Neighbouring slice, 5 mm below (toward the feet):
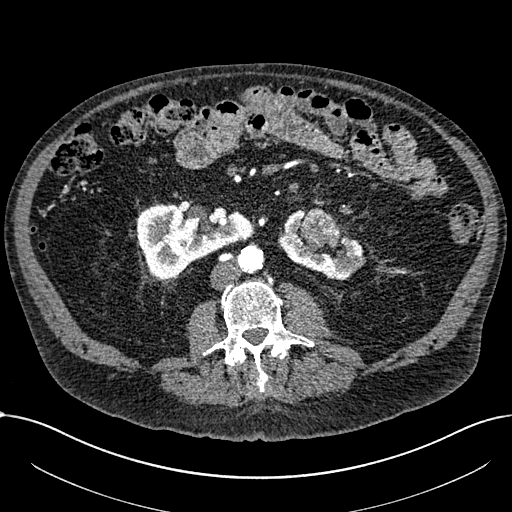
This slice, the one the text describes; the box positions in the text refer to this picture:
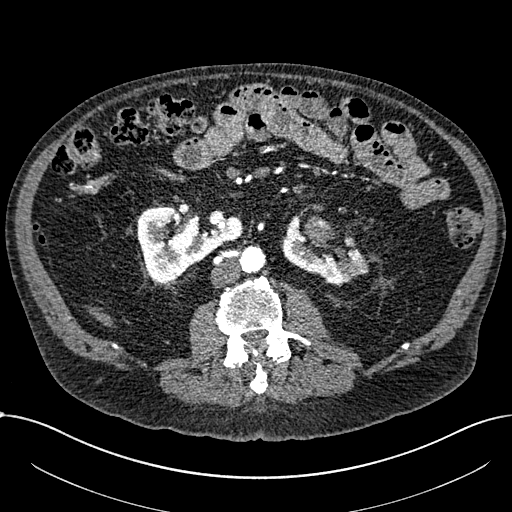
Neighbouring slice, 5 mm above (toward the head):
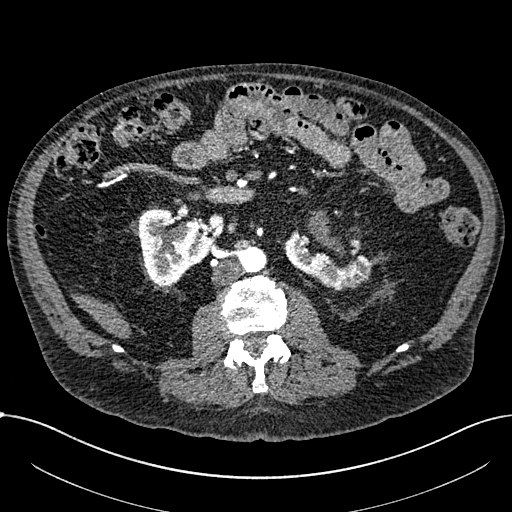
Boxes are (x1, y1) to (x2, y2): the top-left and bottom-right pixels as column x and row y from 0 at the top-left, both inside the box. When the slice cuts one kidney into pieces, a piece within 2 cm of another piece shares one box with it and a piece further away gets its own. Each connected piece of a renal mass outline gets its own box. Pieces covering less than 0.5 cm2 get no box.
Arterial-phase contrast-enhanced abdominal CT, axial slice 338 of 1059 (counted from the lowest slice); 1.00 mm thick, 0.811 mm per pixel. Two kidney boxes and one renal mass box on this slice; by box centre, from the image's left to its right: (1) Right part of the midline-crossing kidney, box (136, 205) to (243, 281) (outlined area 5,232 px, about 34.4 cm2). (2) Box (303, 215) to (342, 257): renal mass (outlined area 907 px, about 6.0 cm2). (3) Left part of the midline-crossing kidney, box (281, 217) to (367, 286) (outlined area 2,723 px, about 17.9 cm2). This slice lies near the end of a renal mass toward the head; the slices 5 mm below and 5 mm above it are shown too, and the boxes mark positions on this slice only.
Tube voltage 100 kVp; convolution kernel I30f.